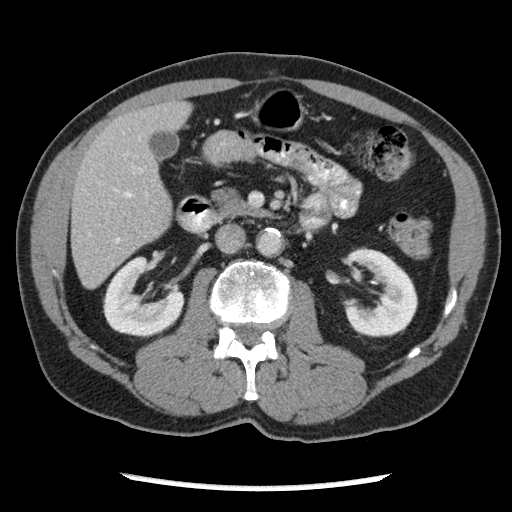
Abdominal CT with intravenous contrast, arterial phase, axial plane, 120 kVp, kernel STANDARD. Slice 119/262 from the bottom of the scan; thickness 2.50 mm; pixel size 0.703 mm.
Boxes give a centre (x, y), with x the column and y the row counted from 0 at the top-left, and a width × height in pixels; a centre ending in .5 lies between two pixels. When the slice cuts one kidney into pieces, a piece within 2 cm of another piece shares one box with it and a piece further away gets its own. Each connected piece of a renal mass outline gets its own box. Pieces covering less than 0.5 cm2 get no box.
Boxed on this slice (two kidney boxes), listed by box centre from the image's left to its right: (1) Right kidney, box centre (143.5, 296), 82 × 81 pixels (outlined area 4,286 px, about 21.2 cm2). (2) Left kidney, box centre (379.5, 292.5), 78 × 90 pixels (outlined area 4,758 px, about 23.5 cm2). This slice carries no renal mass outline.